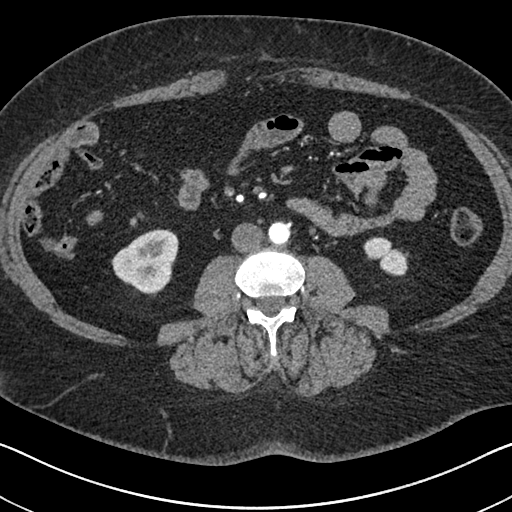
One axial slice (298 of 591, counting up from the lowest) of an arterial-phase abdominal CT acquired with 140 kVp, kernel I30f; each pixel is 0.703 mm and the slice is 1.00 mm thick.
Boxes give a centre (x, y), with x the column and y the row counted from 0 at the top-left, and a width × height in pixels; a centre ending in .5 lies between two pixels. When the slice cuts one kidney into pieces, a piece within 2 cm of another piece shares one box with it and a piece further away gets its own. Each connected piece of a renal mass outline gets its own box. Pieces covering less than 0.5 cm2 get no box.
Two kidney boxes on this slice; by box centre, from the image's left to its right: (1) Box centre (145, 262), 67 × 69 pixels: right kidney (outlined area 3,129 px, about 15.5 cm2). (2) Left kidney in a box with centre (385, 256), 45 × 39 pixels (outlined area 1,113 px, about 5.5 cm2). This slice carries no renal mass outline.